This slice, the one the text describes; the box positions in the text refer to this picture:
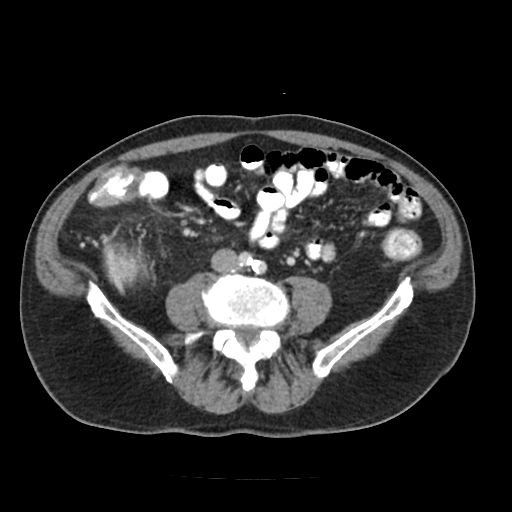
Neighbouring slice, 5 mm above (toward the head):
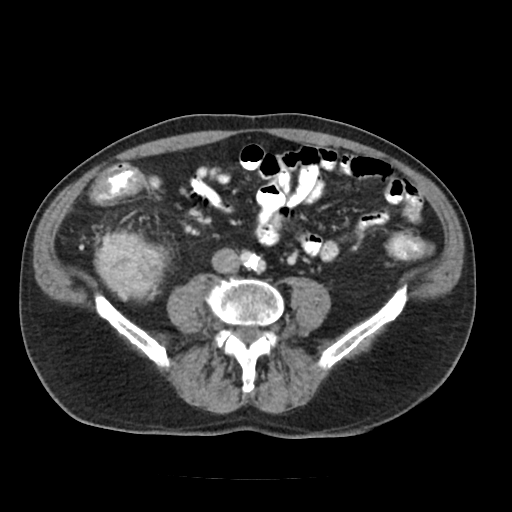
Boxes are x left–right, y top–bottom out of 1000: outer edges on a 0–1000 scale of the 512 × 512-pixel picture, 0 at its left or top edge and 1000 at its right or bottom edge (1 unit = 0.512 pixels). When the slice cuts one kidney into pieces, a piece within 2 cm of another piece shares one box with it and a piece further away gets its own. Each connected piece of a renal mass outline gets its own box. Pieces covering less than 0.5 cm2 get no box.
This is axial slice 43 of 91 (slice 1 is the lowest) of an abdominal CT with contrast; each pixel is 0.766 mm and the slice is 5.00 mm thick. Right renal mass, box x 199–299, y 469–563 out of 1000 (outlined area 1,884 px, about 11.1 cm2); no kidney is outlined on this slice, but the same outlined renal mass comes within 1 cm of the kidney on another slice. This slice lies near the end of the right renal mass toward the feet; the slice 5 mm above it is shown too, and the boxes mark positions on this slice only.
Scan settings: 120 kVp, FC18 reconstruction kernel.